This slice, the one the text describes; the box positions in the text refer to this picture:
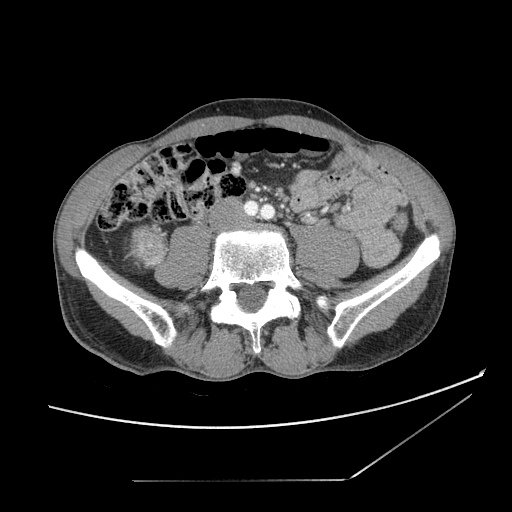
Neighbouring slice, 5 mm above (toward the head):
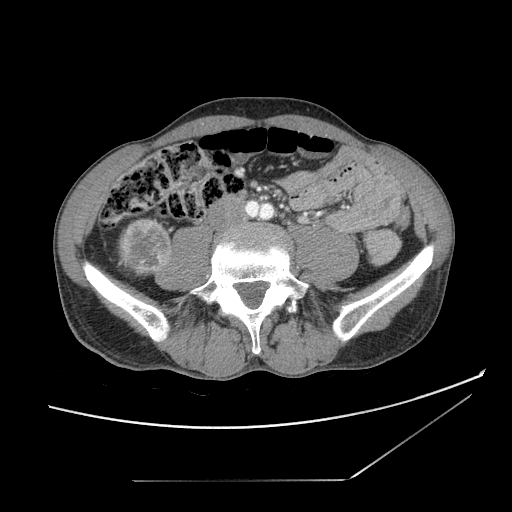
Contrast-enhanced abdominal CT, axial slice 30 of 121 (counted from the lowest slice); tube voltage 120 kVp, convolution kernel STANDARD; slices 2.50 mm thick, 0.742 mm per pixel.
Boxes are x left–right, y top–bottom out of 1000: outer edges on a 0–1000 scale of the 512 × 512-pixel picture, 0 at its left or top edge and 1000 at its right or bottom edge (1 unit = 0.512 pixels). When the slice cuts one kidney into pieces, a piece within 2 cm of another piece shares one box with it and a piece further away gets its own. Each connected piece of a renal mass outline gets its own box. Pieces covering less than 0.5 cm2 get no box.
Right renal mass, box x 246–330, y 436–521 out of 1000 (outlined area 1,433 px, about 7.9 cm2); no kidney is outlined on this slice, but the same outlined renal mass comes within 1 cm of the kidney on another slice. This slice is near the end of the right renal mass toward the feet, so the slice 5 mm above it is shown as well; the boxes refer to this slice only.